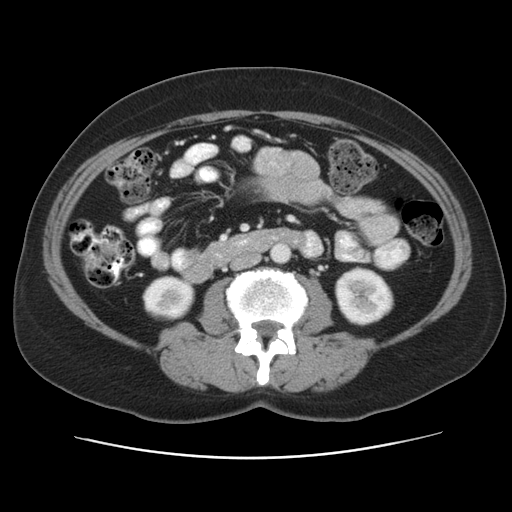
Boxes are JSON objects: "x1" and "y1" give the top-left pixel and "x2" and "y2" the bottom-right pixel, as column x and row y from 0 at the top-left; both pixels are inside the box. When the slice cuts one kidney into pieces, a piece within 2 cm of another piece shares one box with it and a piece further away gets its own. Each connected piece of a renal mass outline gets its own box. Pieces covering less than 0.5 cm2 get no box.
Slice 19/53 of a contrast-enhanced abdominal CT in the arterial phase, counting up from the lowest; pixel size 0.703 mm, slice thickness 5.00 mm. Two boxes on this slice (two kidney boxes), listed by box centre from the image's left to its right. (1) Right kidney at {"x1": 142, "y1": 275, "x2": 194, "y2": 320} (outlined area 1,906 px, about 9.4 cm2). (2) Left kidney at {"x1": 334, "y1": 266, "x2": 393, "y2": 326} (outlined area 2,681 px, about 13.3 cm2). This slice carries no renal mass outline.
Tube voltage 120 kVp; convolution kernel STANDARD.